Abdominal CT with intravenous contrast, arterial phase, axial plane, 100 kVp, kernel I30f. Slice 186/325 from the bottom of the scan; thickness 1.00 mm; pixel size 0.703 mm.
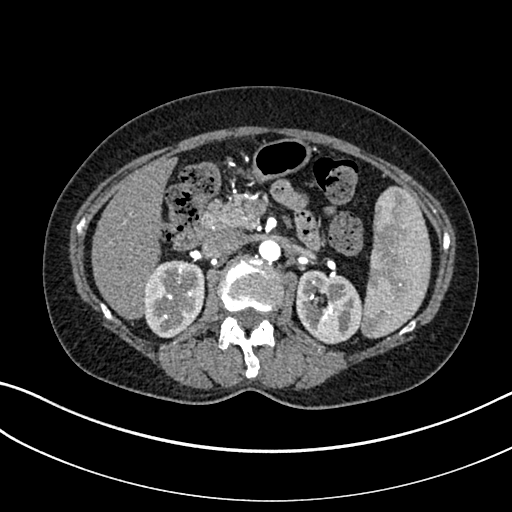
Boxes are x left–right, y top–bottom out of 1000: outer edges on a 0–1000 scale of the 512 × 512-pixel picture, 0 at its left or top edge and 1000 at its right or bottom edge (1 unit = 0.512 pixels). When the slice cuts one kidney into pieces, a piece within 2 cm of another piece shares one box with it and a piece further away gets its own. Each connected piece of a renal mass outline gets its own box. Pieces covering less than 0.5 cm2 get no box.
Boxed on this slice (two kidney boxes), listed by box centre from the image's left to its right: (1) Right kidney at x 279–400, y 508–662 out of 1000 (outlined area 3,858 px, about 19.1 cm2). (2) Left kidney, box x 576–709, y 527–674 out of 1000 (outlined area 3,856 px, about 19.1 cm2).